Contrast-enhanced abdominal CT, axial slice 29 of 61 (counted from the lowest slice); tube voltage 140 kVp, convolution kernel B41f; slices 3.00 mm thick, 0.939 mm per pixel.
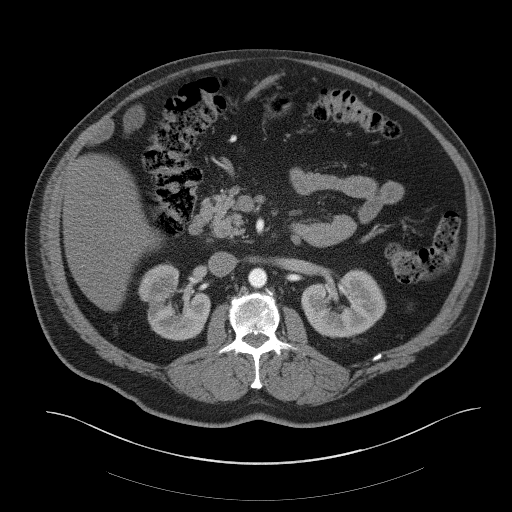
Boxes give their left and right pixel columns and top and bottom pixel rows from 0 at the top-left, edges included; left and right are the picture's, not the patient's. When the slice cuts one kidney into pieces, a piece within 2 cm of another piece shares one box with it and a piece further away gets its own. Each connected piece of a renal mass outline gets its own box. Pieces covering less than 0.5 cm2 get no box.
Boxed on this slice (two kidney boxes), listed by box centre from the image's left to its right: (1) Right kidney in the box with left 138, top 264, right 210, bottom 340 (outlined area 3,794 px, about 33.5 cm2). (2) Left kidney, the box with left 301, top 269, right 386, bottom 337 (outlined area 4,253 px, about 37.5 cm2). No renal mass is outlined on this slice.